Arterial-phase contrast-enhanced abdominal CT, axial slice 16 of 52 (counted from the lowest slice); tube voltage 120 kVp, convolution kernel B30f; slices 3.00 mm thick, 0.678 mm per pixel.
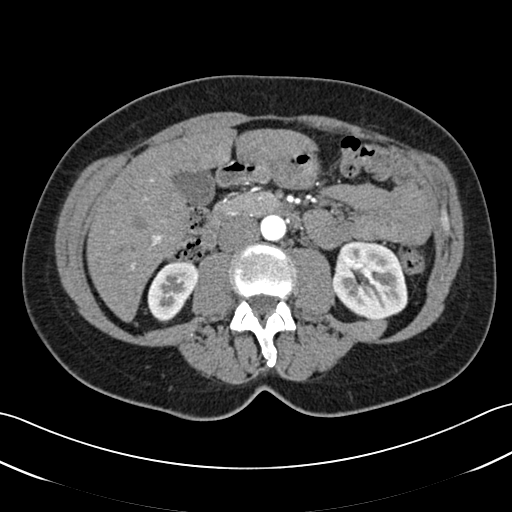
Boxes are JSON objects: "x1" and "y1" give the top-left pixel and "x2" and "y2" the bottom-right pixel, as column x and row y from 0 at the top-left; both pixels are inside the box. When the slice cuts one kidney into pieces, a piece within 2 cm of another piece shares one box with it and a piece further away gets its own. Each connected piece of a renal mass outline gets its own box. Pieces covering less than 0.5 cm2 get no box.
Two kidney boxes on this slice; by box centre, from the image's left to its right: (1) Box {"x1": 147, "y1": 261, "x2": 198, "y2": 322}: right kidney (outlined area 2,192 px, about 10.1 cm2). (2) Box {"x1": 332, "y1": 240, "x2": 408, "y2": 319}: left kidney (outlined area 4,759 px, about 21.9 cm2). This slice carries no renal mass outline.